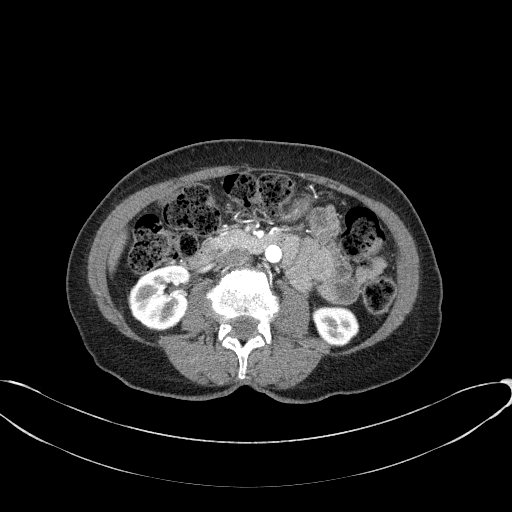
One axial slice (25 of 77, counting up from the lowest) of an arterial-phase abdominal CT acquired with 100 kVp, kernel B41f; each pixel is 0.809 mm and the slice is 3.00 mm thick.
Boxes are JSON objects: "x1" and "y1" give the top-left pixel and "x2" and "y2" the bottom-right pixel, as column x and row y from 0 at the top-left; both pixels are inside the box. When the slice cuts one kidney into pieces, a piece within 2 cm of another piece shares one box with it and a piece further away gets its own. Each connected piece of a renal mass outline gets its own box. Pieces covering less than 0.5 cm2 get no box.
Two boxes on this slice (two kidney boxes), listed by box centre from the image's left to its right. (1) Right kidney at {"x1": 127, "y1": 265, "x2": 191, "y2": 331} (outlined area 3,252 px, about 21.3 cm2). (2) Left kidney at {"x1": 312, "y1": 306, "x2": 359, "y2": 346} (outlined area 1,487 px, about 9.7 cm2). No renal mass is outlined on this slice.